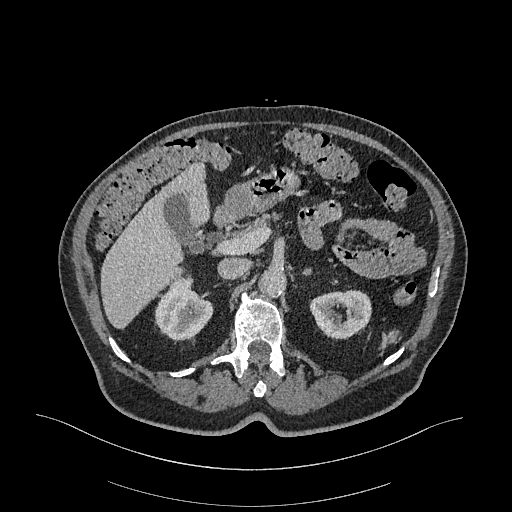
Abdominal CT with intravenous contrast, arterial phase, axial plane, 120 kVp, kernel I26f. Slice 216/470 from the bottom of the scan; thickness 1.00 mm; pixel size 0.938 mm.
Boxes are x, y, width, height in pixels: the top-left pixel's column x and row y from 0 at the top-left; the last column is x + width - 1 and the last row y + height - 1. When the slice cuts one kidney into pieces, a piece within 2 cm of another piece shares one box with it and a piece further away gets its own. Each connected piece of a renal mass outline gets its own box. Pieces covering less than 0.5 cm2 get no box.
Two boxes on this slice (two kidney boxes), listed by box centre from the image's left to its right. (1) Right kidney, box x 154, y 277, width 59, height 64 (outlined area 2,529 px, about 22.2 cm2). (2) Left kidney, box x 309, y 290, width 63, height 50 (outlined area 2,339 px, about 20.6 cm2). This slice carries no renal mass outline.